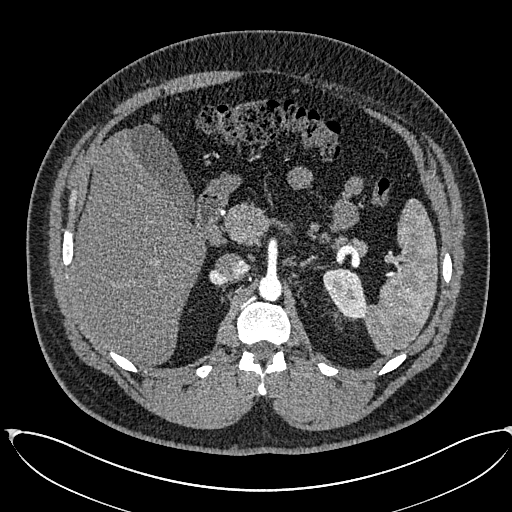
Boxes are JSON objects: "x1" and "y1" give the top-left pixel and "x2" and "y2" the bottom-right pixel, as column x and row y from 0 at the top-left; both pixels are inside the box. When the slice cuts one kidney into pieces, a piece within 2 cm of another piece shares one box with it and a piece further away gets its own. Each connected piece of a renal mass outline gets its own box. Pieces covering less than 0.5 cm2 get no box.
Arterial-phase contrast-enhanced abdominal CT, axial slice 418 of 673 (counted from the lowest slice); 1.00 mm thick, 0.855 mm per pixel. Left kidney at {"x1": 323, "y1": 268, "x2": 367, "y2": 318} (outlined area 1,625 px, about 11.9 cm2). This slice carries no renal mass outline.
Scan settings: 120 kVp, I30f reconstruction kernel.